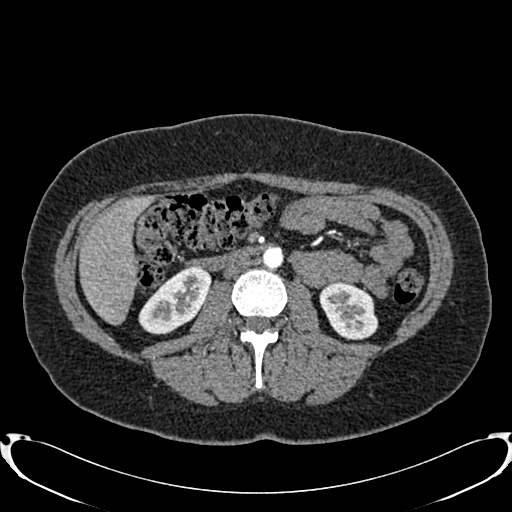
Axial slice 414 of 719 of a contrast-enhanced abdominal CT in the arterial phase (slice 1 is the lowest), 120 kVp, kernel B20f; 1.00 mm slice thickness and 0.766 mm pixels.
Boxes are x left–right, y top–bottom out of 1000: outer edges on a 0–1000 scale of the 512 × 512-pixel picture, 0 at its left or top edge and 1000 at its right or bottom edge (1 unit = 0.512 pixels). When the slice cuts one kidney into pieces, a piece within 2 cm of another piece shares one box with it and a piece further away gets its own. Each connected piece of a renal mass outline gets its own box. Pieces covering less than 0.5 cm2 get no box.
Boxed on this slice (two kidney boxes), listed by box centre from the image's left to its right: (1) Right kidney at x 270–414, y 520–654 out of 1000 (outlined area 3,175 px, about 18.6 cm2). (2) Left kidney at x 623–740, y 551–664 out of 1000 (outlined area 2,578 px, about 15.1 cm2). No renal mass is outlined on this slice.